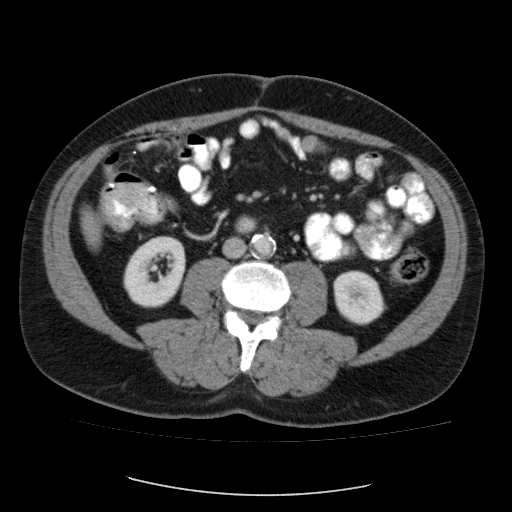
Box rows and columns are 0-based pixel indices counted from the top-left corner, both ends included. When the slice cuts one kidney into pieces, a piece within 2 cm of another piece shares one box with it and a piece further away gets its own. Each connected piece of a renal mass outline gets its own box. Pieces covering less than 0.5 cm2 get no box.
Contrast-enhanced abdominal CT, axial slice 45 of 87 (counted from the lowest slice); 5.00 mm thick, 0.812 mm per pixel. Two boxes on this slice (two kidney boxes), listed by box centre from the image's left to its right. (1) Right kidney at rows 236–307, columns 123–185 (outlined area 3,409 px, about 22.5 cm2). (2) Box rows 270–325, columns 333–386: left kidney (outlined area 2,216 px, about 14.6 cm2). No renal mass is outlined on this slice.
Scan settings: 120 kVp, FC12 reconstruction kernel.